One axial slice (174 of 470, counting up from the lowest) of an arterial-phase abdominal CT acquired with 120 kVp, kernel I26f; each pixel is 0.938 mm and the slice is 1.00 mm thick.
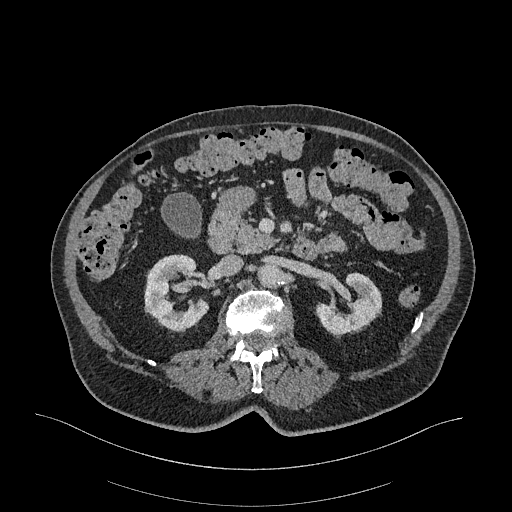
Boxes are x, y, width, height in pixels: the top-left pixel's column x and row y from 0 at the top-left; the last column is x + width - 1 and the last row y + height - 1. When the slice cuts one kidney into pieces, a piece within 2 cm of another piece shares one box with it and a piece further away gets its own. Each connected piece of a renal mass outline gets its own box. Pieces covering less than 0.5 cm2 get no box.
Two kidney boxes on this slice; by box centre, from the image's left to its right: (1) Box x 144, y 254, width 65, height 79: right kidney (outlined area 3,486 px, about 30.6 cm2). (2) Box x 315, y 273, width 68, height 66: left kidney (outlined area 2,720 px, about 23.9 cm2). This slice carries no renal mass outline.